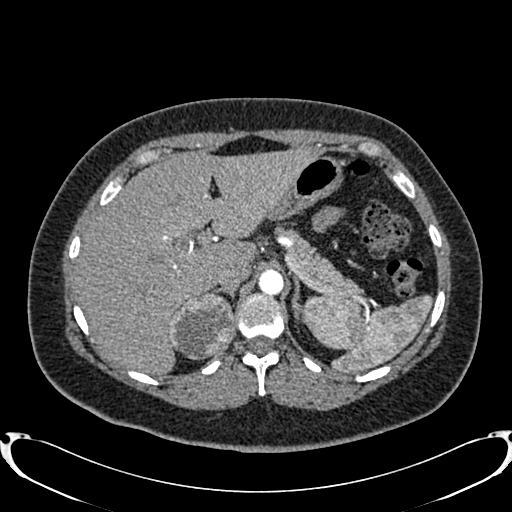
Arterial-phase contrast-enhanced abdominal CT, axial slice 601 of 719 (counted from the lowest slice); tube voltage 120 kVp, convolution kernel B20f; slices 1.00 mm thick, 0.766 mm per pixel.
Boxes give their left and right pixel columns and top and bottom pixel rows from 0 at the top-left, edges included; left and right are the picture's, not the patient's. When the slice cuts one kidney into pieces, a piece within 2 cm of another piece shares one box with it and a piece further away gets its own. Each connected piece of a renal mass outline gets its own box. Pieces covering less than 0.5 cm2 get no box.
Right renal mass, the box with left 169, top 292, right 234, bottom 359 (outlined area 3,380 px, about 19.8 cm2); no kidney outline appears on this slice, but the same outlined renal mass comes within 1 cm of the kidney on another slice.